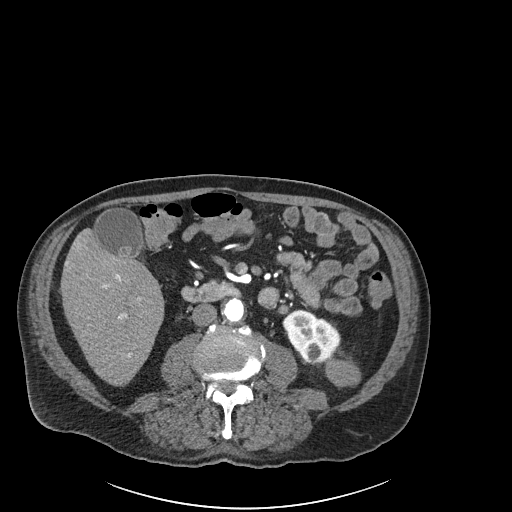
Arterial-phase contrast-enhanced abdominal CT, axial slice 73 of 261 (counted from the lowest slice); tube voltage 120 kVp, convolution kernel I30f; slices 2.00 mm thick, 0.939 mm per pixel.
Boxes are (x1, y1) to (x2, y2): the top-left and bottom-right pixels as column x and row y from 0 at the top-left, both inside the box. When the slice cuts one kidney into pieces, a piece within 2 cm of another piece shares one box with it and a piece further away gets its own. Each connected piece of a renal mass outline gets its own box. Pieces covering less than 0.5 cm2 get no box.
Boxed on this slice (one kidney box and one renal mass box), listed by box centre from the image's left to its right: (1) Left kidney, box (282, 309) to (340, 363) (outlined area 2,141 px, about 18.9 cm2). (2) Box (325, 359) to (361, 386): left renal mass (outlined area 822 px, about 7.3 cm2).